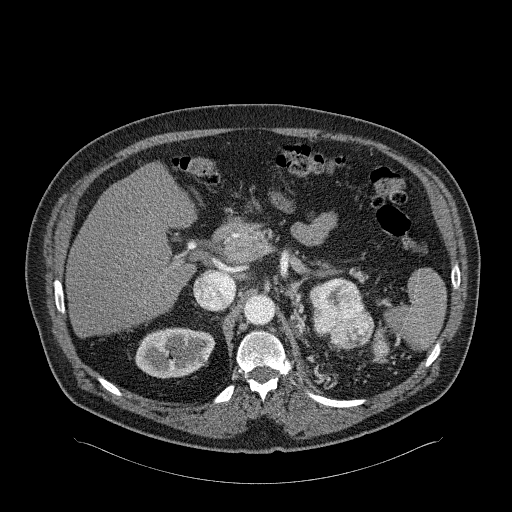
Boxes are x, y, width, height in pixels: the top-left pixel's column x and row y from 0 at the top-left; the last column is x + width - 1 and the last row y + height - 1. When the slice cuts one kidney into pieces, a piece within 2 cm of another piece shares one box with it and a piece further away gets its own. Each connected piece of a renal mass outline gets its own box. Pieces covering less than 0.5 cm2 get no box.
Slice 177/326 of a contrast-enhanced abdominal CT in the arterial phase, counting up from the lowest; pixel size 0.963 mm, slice thickness 2.00 mm. Boxed on this slice (one kidney box and two renal mass boxes), listed by box centre from the image's left to its right: (1) Right kidney at x 135, y 327, width 81, height 52 (outlined area 3,234 px, about 30.0 cm2). (2) Left renal mass at x 309, y 277, width 66, height 73 (outlined area 3,441 px, about 31.9 cm2); on this slice it lies more than 1 cm from any kidney outline, but the same outlined renal mass comes within 1 cm of the kidney on another slice. (3) Left renal mass at x 372, y 329, width 18, height 32 (outlined area 415 px, about 3.8 cm2); on this slice it lies more than 1 cm from any kidney outline, but the same outlined renal mass comes within 1 cm of the kidney on another slice.
Scan settings: 120 kVp, B31f reconstruction kernel.